One axial slice (352 of 673, counting up from the lowest) of an arterial-phase abdominal CT acquired with 120 kVp, kernel I30f; each pixel is 0.855 mm and the slice is 1.00 mm thick.
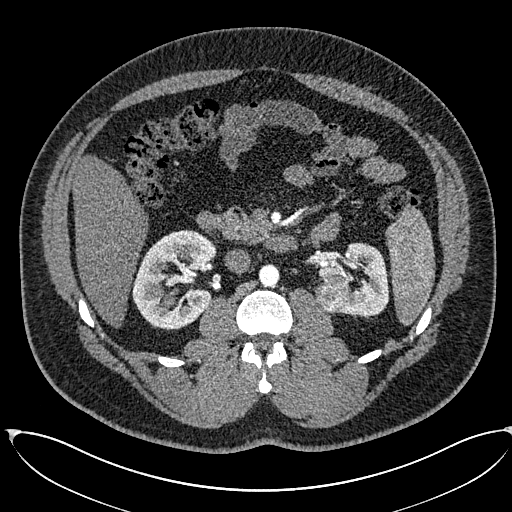
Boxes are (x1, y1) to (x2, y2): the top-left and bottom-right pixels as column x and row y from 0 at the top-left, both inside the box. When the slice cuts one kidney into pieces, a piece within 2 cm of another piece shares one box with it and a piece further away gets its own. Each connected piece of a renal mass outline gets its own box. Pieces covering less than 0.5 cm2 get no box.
Boxed on this slice (two kidney boxes and one renal mass box), listed by box centre from the image's left to its right: (1) Right kidney, box (132, 229) to (217, 329) (outlined area 6,031 px, about 44.1 cm2). (2) Box (315, 275) to (351, 313): left renal mass (outlined area 1,103 px, about 8.1 cm2). (3) Box (319, 242) to (389, 316): left kidney (outlined area 3,071 px, about 22.5 cm2).